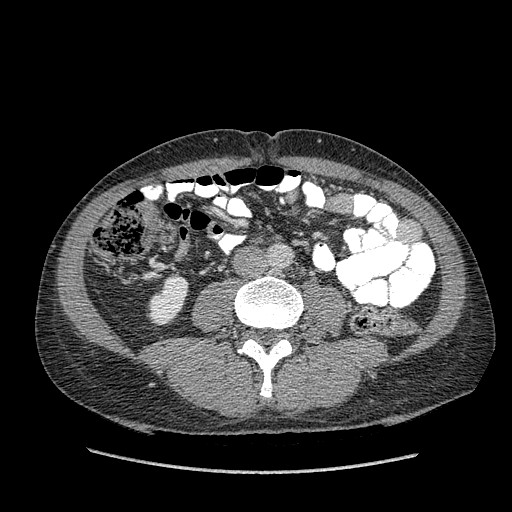
Arterial-phase contrast-enhanced abdominal CT, axial slice 159 of 349 (counted from the lowest slice); tube voltage 120 kVp, convolution kernel STANDARD; slices 1.25 mm thick, 0.742 mm per pixel.
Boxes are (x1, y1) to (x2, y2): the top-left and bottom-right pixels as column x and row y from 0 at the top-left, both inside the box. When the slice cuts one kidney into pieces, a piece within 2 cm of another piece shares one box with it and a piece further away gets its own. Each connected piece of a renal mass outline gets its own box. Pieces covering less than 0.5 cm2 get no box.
Box (148, 275) to (188, 325): right kidney (outlined area 1,426 px, about 7.9 cm2). No renal mass is outlined on this slice.